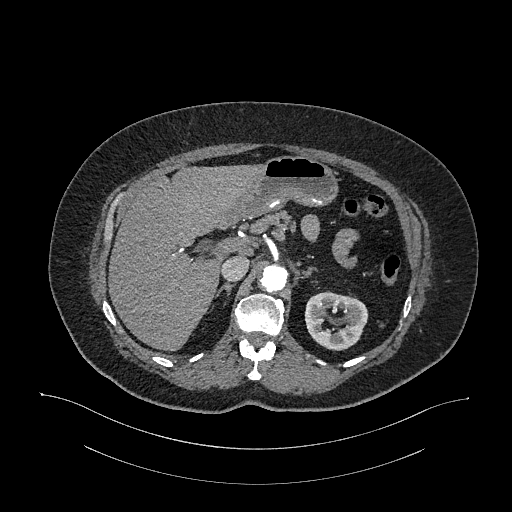
Abdominal CT with intravenous contrast, arterial phase, axial plane, 120 kVp, kernel I26f. Slice 750/987 from the bottom of the scan; thickness 1.00 mm; pixel size 0.977 mm.
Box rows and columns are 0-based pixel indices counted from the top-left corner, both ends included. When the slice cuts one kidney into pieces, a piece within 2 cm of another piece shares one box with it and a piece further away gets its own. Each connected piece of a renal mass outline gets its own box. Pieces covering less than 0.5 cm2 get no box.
Left kidney at rows 291–350, columns 304–368 (outlined area 2,780 px, about 26.5 cm2). No renal mass outline on this slice.